Arterial-phase contrast-enhanced abdominal CT, axial slice 204 of 527 (counted from the lowest slice); tube voltage 120 kVp, convolution kernel I30f; slices 1.00 mm thick, 0.859 mm per pixel.
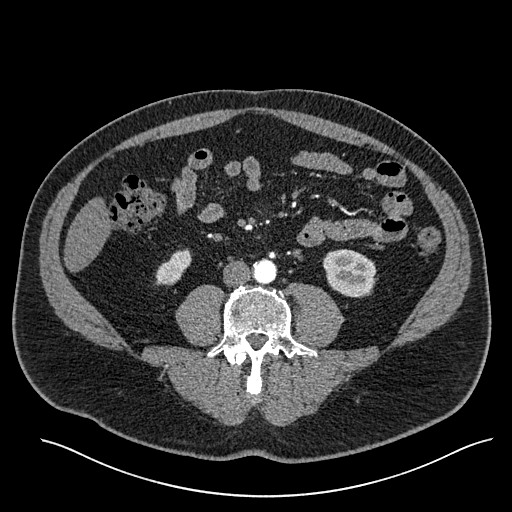
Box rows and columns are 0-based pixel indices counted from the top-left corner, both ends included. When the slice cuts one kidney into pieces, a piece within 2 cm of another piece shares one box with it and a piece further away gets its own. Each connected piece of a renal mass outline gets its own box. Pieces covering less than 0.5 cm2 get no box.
Two kidney boxes on this slice; by box centre, from the image's left to its right: (1) Right kidney, box rows 248–285, columns 155–191 (outlined area 865 px, about 6.4 cm2). (2) Box rows 249–297, columns 323–377: left kidney (outlined area 2,082 px, about 15.4 cm2). No renal mass outline on this slice.